Abdominal CT with intravenous contrast, arterial phase, axial plane, 140 kVp, kernel I30f. Slice 480/591 from the bottom of the scan; thickness 1.00 mm; pixel size 0.703 mm.
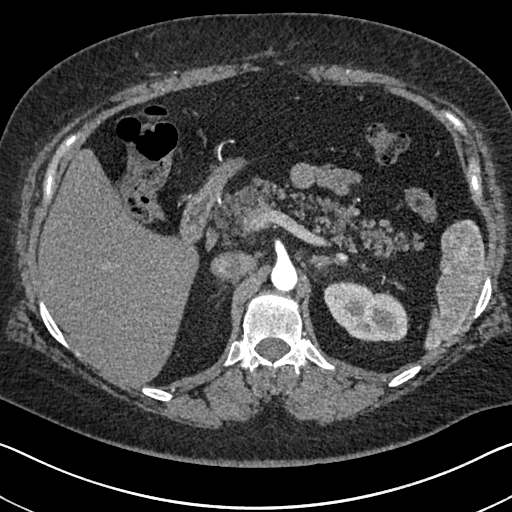
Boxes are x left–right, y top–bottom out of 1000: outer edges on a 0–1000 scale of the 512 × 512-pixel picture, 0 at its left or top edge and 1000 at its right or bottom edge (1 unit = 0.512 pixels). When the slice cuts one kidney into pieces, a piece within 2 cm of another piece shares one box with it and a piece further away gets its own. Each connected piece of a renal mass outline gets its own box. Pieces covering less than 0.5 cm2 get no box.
Left kidney at x 631–799, y 549–668 out of 1000 (outlined area 3,765 px, about 18.6 cm2). No renal mass outline on this slice.